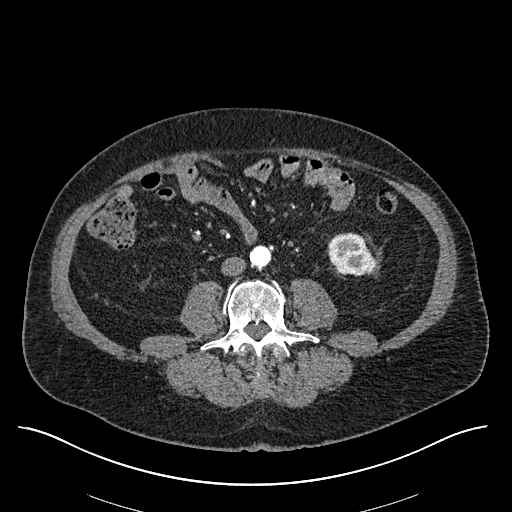
Axial slice 218 of 670 of a contrast-enhanced abdominal CT in the arterial phase (slice 1 is the lowest), 120 kVp, kernel I30f; 1.00 mm slice thickness and 0.861 mm pixels.
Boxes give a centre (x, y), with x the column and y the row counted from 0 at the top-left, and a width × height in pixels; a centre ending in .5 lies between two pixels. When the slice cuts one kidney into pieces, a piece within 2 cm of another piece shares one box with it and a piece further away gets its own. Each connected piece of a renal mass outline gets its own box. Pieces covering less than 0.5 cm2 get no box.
Box centre (352, 253), 51 × 43 pixels: left kidney (outlined area 1,609 px, about 11.9 cm2). No renal mass outline on this slice.